Abdominal CT with intravenous contrast, axial plane, 120 kVp, kernel B31f. Slice 76/99 from the bottom of the scan; thickness 5.00 mm; pixel size 0.742 mm.
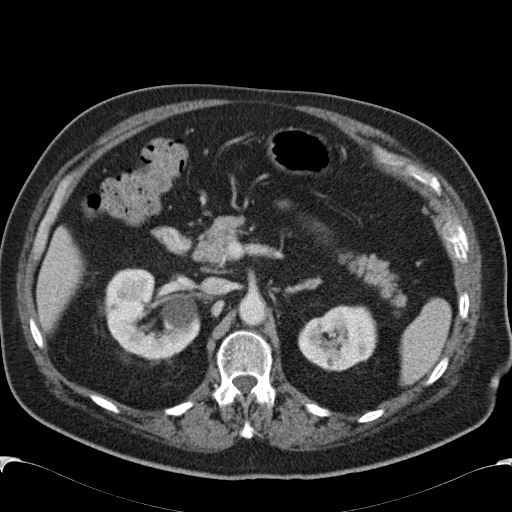
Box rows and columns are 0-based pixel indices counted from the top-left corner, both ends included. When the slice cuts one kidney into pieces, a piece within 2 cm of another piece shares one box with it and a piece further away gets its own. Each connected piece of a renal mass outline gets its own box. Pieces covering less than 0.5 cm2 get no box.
Two boxes on this slice (two kidney boxes), listed by box centre from the image's left to its right. (1) Box rows 268–360, columns 103–200: right kidney (outlined area 6,397 px, about 35.2 cm2). (2) Left kidney, box rows 305–371, columns 298–377 (outlined area 4,052 px, about 22.3 cm2). This slice carries no renal mass outline.